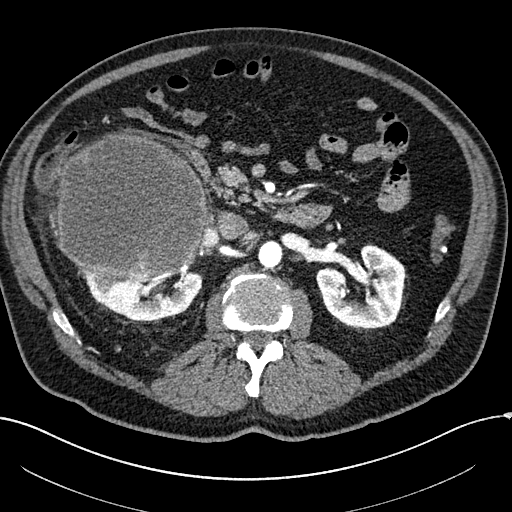
Axial slice 119 of 304 of a contrast-enhanced abdominal CT in the arterial phase (slice 1 is the lowest), 100 kVp, kernel I30f; 2.00 mm slice thickness and 0.809 mm pixels.
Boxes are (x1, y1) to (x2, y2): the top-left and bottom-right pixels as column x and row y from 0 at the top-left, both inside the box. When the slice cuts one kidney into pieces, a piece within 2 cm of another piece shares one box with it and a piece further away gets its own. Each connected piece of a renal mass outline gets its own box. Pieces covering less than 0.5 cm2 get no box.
Boxed on this slice (two kidney boxes and one renal mass box), listed by box centre from the image's left to its right: (1) Box (56, 132) to (207, 278): right renal mass (outlined area 18,231 px, about 119.2 cm2). (2) Right kidney from (79, 268) to (202, 320) (outlined area 4,097 px, about 26.8 cm2). (3) Box (316, 243) to (406, 331): left kidney (outlined area 5,333 px, about 34.9 cm2).